Contrast-enhanced abdominal CT, axial slice 36 of 80 (counted from the lowest slice); tube voltage 120 kVp, convolution kernel B30f; slices 3.00 mm thick, 0.822 mm per pixel.
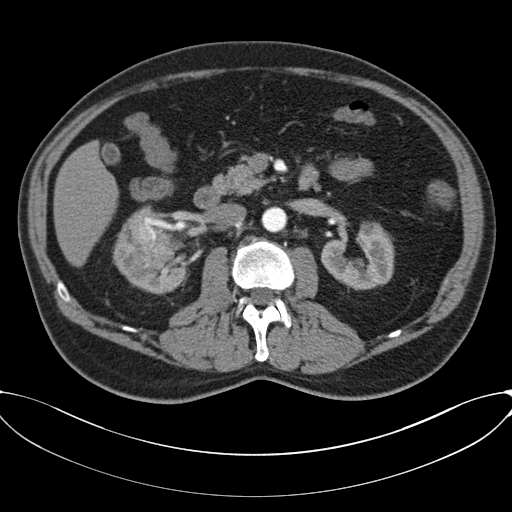
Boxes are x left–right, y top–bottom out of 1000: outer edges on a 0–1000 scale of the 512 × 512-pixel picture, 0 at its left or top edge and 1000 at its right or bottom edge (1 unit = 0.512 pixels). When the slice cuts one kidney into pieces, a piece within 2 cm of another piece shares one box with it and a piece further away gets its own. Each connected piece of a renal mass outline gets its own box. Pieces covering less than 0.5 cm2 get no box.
Two kidney boxes and one renal mass box on this slice; by box centre, from the image's left to its right: (1) Right kidney, box x 221–361, y 402–574 out of 1000 (outlined area 2,874 px, about 19.4 cm2). (2) Right renal mass at x 254–338, y 426–525 out of 1000 (outlined area 1,446 px, about 9.8 cm2). (3) Left kidney at x 627–771, y 432–568 out of 1000 (outlined area 3,417 px, about 23.1 cm2).